One axial slice (348 of 512, counting up from the lowest) of an arterial-phase abdominal CT acquired with 120 kVp, kernel B30f; each pixel is 0.771 mm and the slice is 1.00 mm thick.
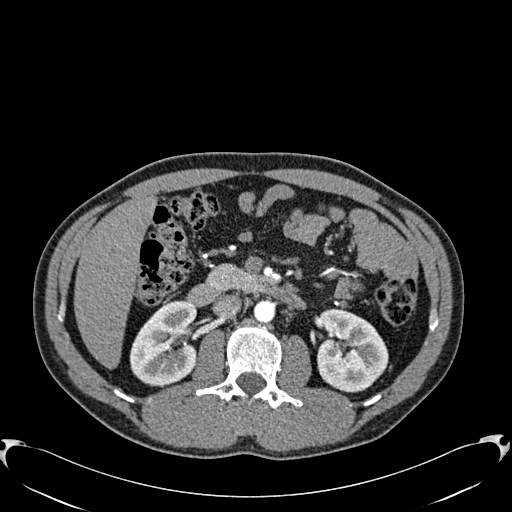
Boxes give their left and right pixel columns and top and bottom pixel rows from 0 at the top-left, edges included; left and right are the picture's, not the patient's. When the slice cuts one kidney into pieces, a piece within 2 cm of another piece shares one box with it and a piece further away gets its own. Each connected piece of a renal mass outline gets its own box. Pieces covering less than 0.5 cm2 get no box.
Boxed on this slice (two kidney boxes), listed by box centre from the image's left to its right: (1) Box with left 129, top 301, right 197, bottom 386: right kidney (outlined area 4,532 px, about 27.0 cm2). (2) Box with left 316, top 308, right 388, bottom 392: left kidney (outlined area 4,631 px, about 27.6 cm2). No renal mass is outlined on this slice.